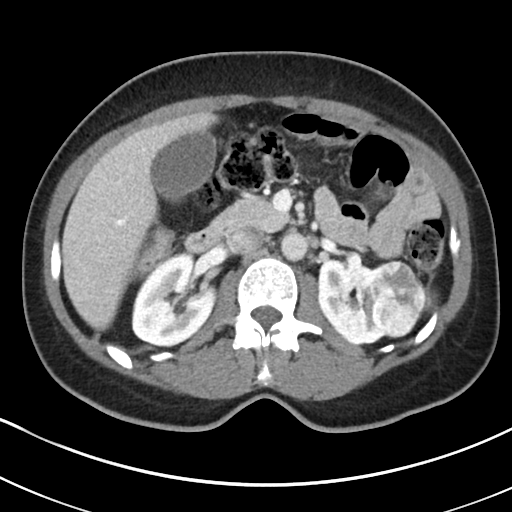
Contrast-enhanced abdominal CT, axial slice 120 of 178 (counted from the lowest slice); tube voltage 100 kVp, convolution kernel I30f; slices 5.00 mm thick, 0.650 mm per pixel.
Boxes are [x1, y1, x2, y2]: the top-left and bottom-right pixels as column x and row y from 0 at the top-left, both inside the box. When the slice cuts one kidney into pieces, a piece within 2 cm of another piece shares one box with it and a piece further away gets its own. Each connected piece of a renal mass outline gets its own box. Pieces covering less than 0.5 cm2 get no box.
Boxed on this slice (two kidney boxes and one renal mass box), listed by box centre from the image's left to its right: (1) Right kidney at [131, 252, 218, 347] (outlined area 5,967 px, about 25.2 cm2). (2) Box [318, 260, 389, 345]: left kidney (outlined area 4,175 px, about 17.7 cm2). (3) Left renal mass at [372, 259, 426, 338] (outlined area 3,274 px, about 13.8 cm2).